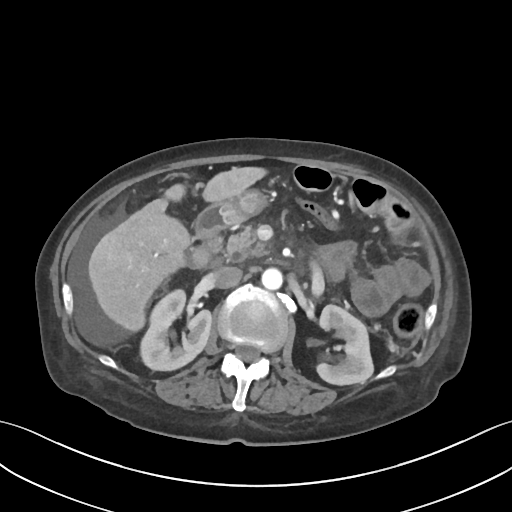
Contrast-enhanced abdominal CT, axial slice 45 of 109 (counted from the lowest slice); tube voltage 120 kVp, convolution kernel I30f; slices 3.00 mm thick, 0.742 mm per pixel.
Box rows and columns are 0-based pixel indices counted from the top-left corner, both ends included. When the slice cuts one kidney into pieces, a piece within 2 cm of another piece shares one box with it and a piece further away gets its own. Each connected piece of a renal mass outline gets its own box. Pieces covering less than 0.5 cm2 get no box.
Two kidney boxes on this slice; by box centre, from the image's left to its right: (1) Box rows 287–371, columns 139–211: right kidney (outlined area 4,256 px, about 23.4 cm2). (2) Left kidney at rows 303–384, columns 314–374 (outlined area 3,604 px, about 19.9 cm2). This slice carries no renal mass outline.